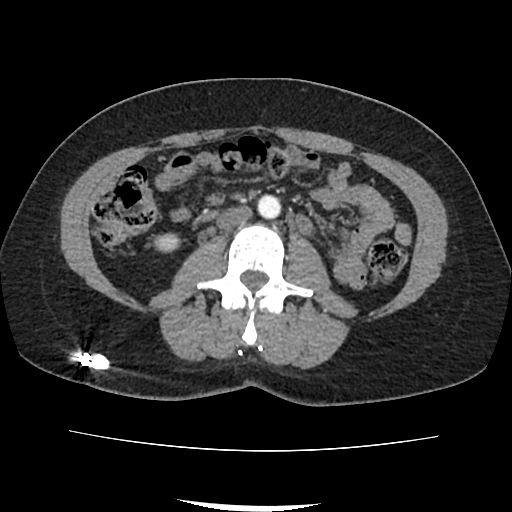
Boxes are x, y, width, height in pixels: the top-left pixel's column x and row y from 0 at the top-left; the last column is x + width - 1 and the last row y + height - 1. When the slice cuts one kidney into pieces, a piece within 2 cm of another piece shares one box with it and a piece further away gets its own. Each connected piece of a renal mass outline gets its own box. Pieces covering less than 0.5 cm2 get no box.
This is axial slice 34 of 103 (slice 1 is the lowest) of an abdominal CT with contrast; each pixel is 0.714 mm and the slice is 3.00 mm thick. Right kidney, box x 151, y 232, width 32, height 22 (outlined area 473 px, about 2.4 cm2). This slice carries no renal mass outline.
Tube voltage 120 kVp; convolution kernel FC18.